One axial slice (11 of 36, counting up from the lowest) of an arterial-phase abdominal CT acquired with 140 kVp, kernel STANDARD; each pixel is 0.703 mm and the slice is 5.00 mm thick.
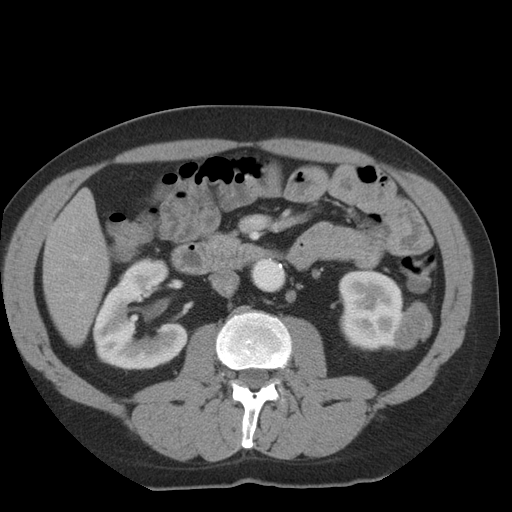
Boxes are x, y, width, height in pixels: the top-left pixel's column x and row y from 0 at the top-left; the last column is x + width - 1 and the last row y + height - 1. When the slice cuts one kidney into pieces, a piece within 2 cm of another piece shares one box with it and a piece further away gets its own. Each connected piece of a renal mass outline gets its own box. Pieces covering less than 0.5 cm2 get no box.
Three boxes on this slice (two kidney boxes and one renal mass box), listed by box centre from the image's left to its right. (1) Right kidney, box x 92, y 257, width 98, height 115 (outlined area 7,183 px, about 35.5 cm2). (2) Box x 338, y 269, width 68, height 83: left kidney (outlined area 4,492 px, about 22.2 cm2). (3) Left renal mass at x 393, y 300, width 41, height 51 (outlined area 1,326 px, about 6.6 cm2).